Axial slice 36 of 61 of a contrast-enhanced abdominal CT (slice 1 is the lowest), 140 kVp, kernel B41f; 3.00 mm slice thickness and 0.939 mm pixels.
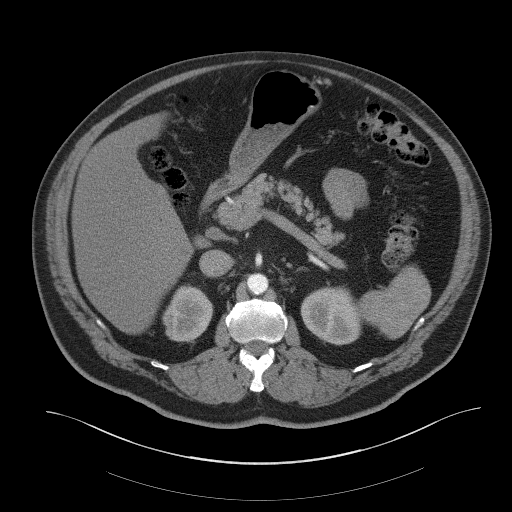
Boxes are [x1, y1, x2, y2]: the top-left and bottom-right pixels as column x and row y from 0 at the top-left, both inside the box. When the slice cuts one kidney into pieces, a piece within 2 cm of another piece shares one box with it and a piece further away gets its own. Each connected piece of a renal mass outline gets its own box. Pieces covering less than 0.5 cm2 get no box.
Two boxes on this slice (two kidney boxes), listed by box centre from the image's left to its right. (1) Box [162, 284, 213, 342]: right kidney (outlined area 2,186 px, about 19.3 cm2). (2) Box [300, 284, 362, 344]: left kidney (outlined area 2,857 px, about 25.2 cm2). This slice carries no renal mass outline.